Axial slice 265 of 602 of a contrast-enhanced abdominal CT in the arterial phase (slice 1 is the lowest), 120 kVp, kernel I30f; 1.00 mm slice thickness and 0.799 mm pixels.
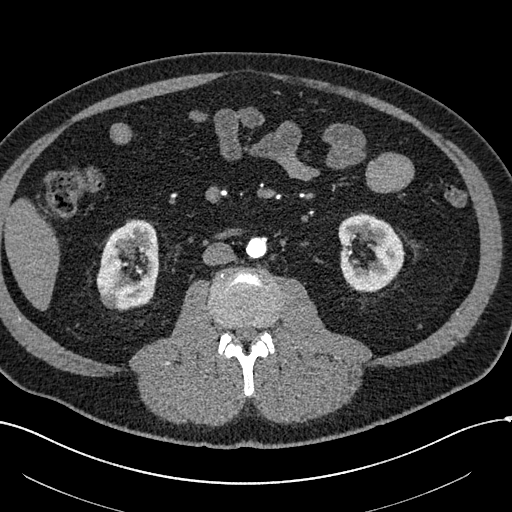
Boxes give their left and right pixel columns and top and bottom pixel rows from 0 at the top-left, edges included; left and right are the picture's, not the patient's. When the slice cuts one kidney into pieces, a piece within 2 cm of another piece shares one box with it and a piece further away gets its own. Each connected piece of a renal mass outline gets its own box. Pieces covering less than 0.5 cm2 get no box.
Two kidney boxes and one renal mass box on this slice; by box centre, from the image's left to its right: (1) Right renal mass, the box with left 100, top 292, right 118, bottom 308 (outlined area 240 px, about 1.5 cm2). (2) Box with left 96, top 219, right 158, bottom 309: right kidney (outlined area 4,150 px, about 26.5 cm2). (3) Box with left 337, top 213, right 404, bottom 292: left kidney (outlined area 3,767 px, about 24.0 cm2).